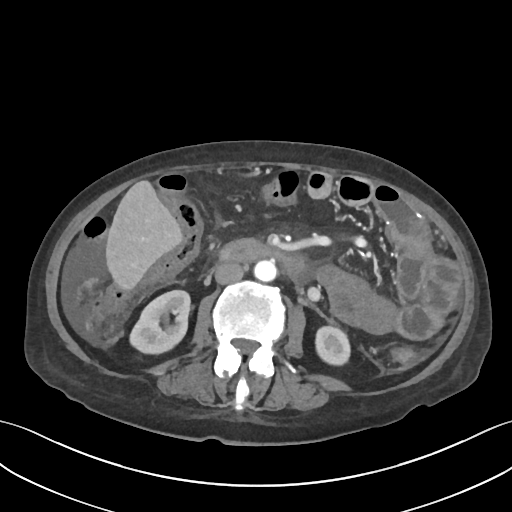
Contrast-enhanced abdominal CT, axial slice 28 of 109 (counted from the lowest slice); tube voltage 120 kVp, convolution kernel I30f; slices 3.00 mm thick, 0.742 mm per pixel.
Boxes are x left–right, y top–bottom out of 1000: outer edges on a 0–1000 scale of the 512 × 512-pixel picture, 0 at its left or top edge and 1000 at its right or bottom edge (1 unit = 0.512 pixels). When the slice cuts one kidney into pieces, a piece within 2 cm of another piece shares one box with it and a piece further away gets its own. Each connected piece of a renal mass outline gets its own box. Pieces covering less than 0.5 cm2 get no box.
Two boxes on this slice (two kidney boxes), listed by box centre from the image's left to its right. (1) Box x 252–373, y 564–695 out of 1000: right kidney (outlined area 2,919 px, about 16.1 cm2). (2) Left kidney at x 613–688, y 635–717 out of 1000 (outlined area 1,242 px, about 6.8 cm2). No renal mass outline on this slice.